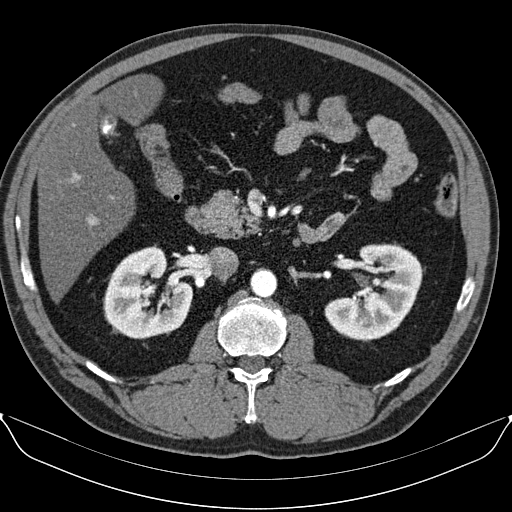
One axial slice (53 of 96, counting up from the lowest) of an arterial-phase abdominal CT acquired with 130 kVp, kernel B30s; each pixel is 0.781 mm and the slice is 3.00 mm thick.
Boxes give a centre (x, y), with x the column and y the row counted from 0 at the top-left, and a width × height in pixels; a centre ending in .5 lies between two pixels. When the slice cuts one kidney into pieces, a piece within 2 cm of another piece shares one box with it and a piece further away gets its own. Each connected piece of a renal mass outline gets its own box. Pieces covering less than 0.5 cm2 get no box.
Two kidney boxes on this slice; by box centre, from the image's left to its right: (1) Box centre (148.5, 292.5), 90 × 94 pixels: right kidney (outlined area 5,806 px, about 35.4 cm2). (2) Box centre (374, 292), 101 × 99 pixels: left kidney (outlined area 6,272 px, about 38.3 cm2). No renal mass is outlined on this slice.